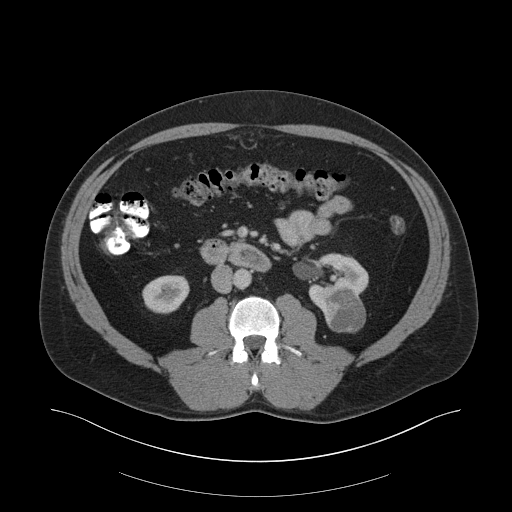
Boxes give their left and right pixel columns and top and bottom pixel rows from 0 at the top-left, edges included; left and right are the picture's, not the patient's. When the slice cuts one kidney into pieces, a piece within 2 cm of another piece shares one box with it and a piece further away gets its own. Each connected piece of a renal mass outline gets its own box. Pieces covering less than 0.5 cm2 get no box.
Arterial-phase contrast-enhanced abdominal CT, axial slice 96 of 159 (counted from the lowest slice); 3.00 mm thick, 0.977 mm per pixel. Two kidney boxes and one renal mass box on this slice; by box centre, from the image's left to its right: (1) Right kidney in the box with left 142, top 275, right 189, bottom 313 (outlined area 1,439 px, about 13.7 cm2). (2) Left kidney in the box with left 308, top 253, right 368, bottom 311 (outlined area 2,146 px, about 20.5 cm2). (3) Left renal mass in the box with left 323, top 294, right 365, bottom 332 (outlined area 1,357 px, about 12.9 cm2).
Tube voltage 140 kVp; convolution kernel B30f.